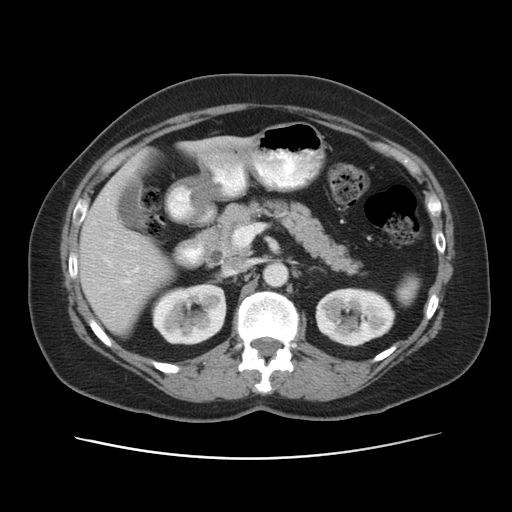
Arterial-phase contrast-enhanced abdominal CT, axial slice 32 of 53 (counted from the lowest slice); tube voltage 120 kVp, convolution kernel STANDARD; slices 5.00 mm thick, 0.703 mm per pixel.
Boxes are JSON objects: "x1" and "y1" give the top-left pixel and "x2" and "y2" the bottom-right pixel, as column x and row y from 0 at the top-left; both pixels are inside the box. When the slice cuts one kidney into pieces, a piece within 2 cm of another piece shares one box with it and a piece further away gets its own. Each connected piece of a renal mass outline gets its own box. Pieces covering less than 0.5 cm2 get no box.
Two kidney boxes on this slice; by box centre, from the image's left to its right: (1) Right kidney, box {"x1": 151, "y1": 282, "x2": 226, "y2": 345} (outlined area 3,803 px, about 18.8 cm2). (2) Box {"x1": 315, "y1": 287, "x2": 395, "y2": 346}: left kidney (outlined area 3,690 px, about 18.2 cm2). This slice carries no renal mass outline.